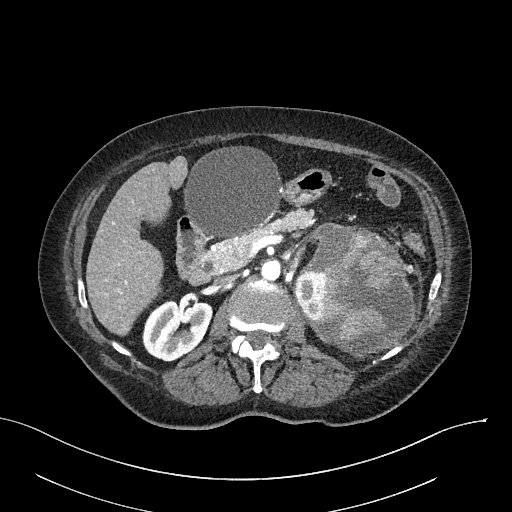
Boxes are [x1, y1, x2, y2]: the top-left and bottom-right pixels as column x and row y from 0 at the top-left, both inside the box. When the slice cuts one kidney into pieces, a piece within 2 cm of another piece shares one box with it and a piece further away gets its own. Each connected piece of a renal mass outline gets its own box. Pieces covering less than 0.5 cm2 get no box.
This is axial slice 153 of 316 (slice 1 is the lowest) of an arterial-phase abdominal CT with contrast; each pixel is 0.840 mm and the slice is 2.00 mm thick. Boxed on this slice (two kidney boxes and one renal mass box), listed by box centre from the image's left to its right: (1) Right kidney, box [142, 299, 212, 360] (outlined area 3,243 px, about 22.9 cm2). (2) Left kidney, box [294, 271, 324, 321] (outlined area 1,228 px, about 8.7 cm2). (3) Box [300, 222, 415, 359]: left renal mass (outlined area 10,692 px, about 75.4 cm2).
Acquired at 100 kVp and reconstructed with the I40f kernel.